One axial slice (19 of 234, counting up from the lowest) of an arterial-phase abdominal CT acquired with 100 kVp, kernel I40f; each pixel is 0.699 mm and the slice is 2.00 mm thick.
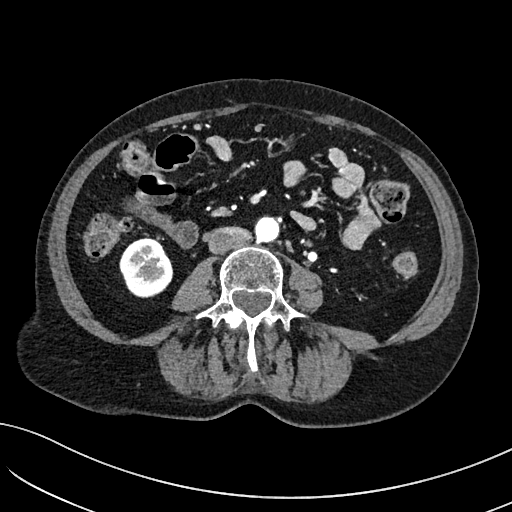
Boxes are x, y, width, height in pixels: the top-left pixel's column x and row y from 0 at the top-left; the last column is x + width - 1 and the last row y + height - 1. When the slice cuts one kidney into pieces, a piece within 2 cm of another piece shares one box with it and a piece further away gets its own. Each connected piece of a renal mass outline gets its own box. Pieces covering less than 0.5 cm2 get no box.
Right kidney at x 119, y 236, width 55, height 62 (outlined area 2,485 px, about 12.1 cm2). This slice carries no renal mass outline.